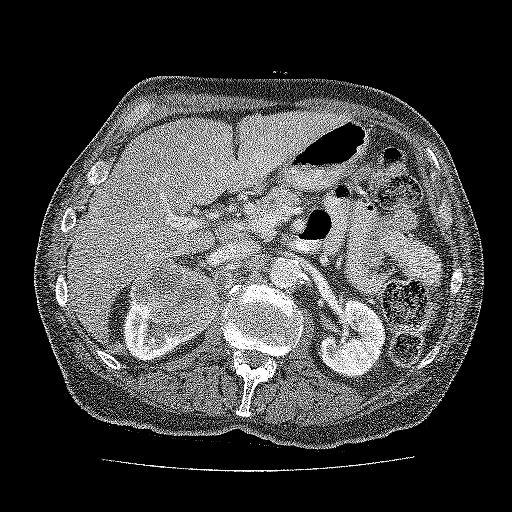
Contrast-enhanced abdominal CT, axial slice 103 of 137 (counted from the lowest slice); tube voltage 120 kVp, convolution kernel FC52; slices 3.00 mm thick, 0.741 mm per pixel.
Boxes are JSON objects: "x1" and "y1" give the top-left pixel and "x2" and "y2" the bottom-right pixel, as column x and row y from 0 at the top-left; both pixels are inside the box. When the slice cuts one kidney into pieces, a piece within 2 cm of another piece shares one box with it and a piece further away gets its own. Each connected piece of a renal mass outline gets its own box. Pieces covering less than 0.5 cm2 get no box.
Three boxes on this slice (two kidney boxes and one renal mass box), listed by box centre from the image's left to its right. (1) Kidney at {"x1": 123, "y1": 297, "x2": 210, "y2": 361} (outlined area 2,459 px, about 13.5 cm2). (2) Renal mass at {"x1": 129, "y1": 258, "x2": 222, "y2": 331} (outlined area 4,922 px, about 27.0 cm2). (3) Kidney at {"x1": 319, "y1": 299, "x2": 386, "y2": 378} (outlined area 3,850 px, about 21.1 cm2).